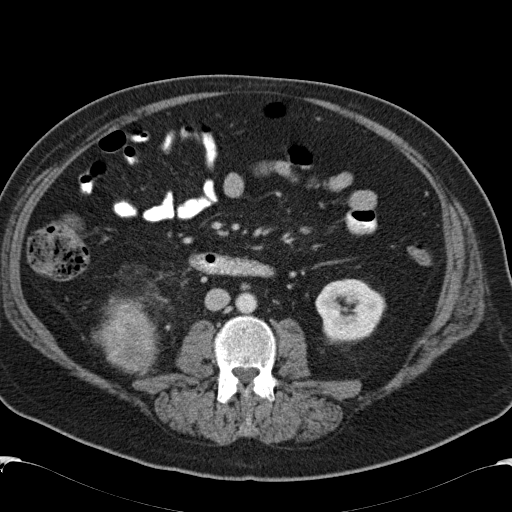
One axial slice (63 of 99, counting up from the lowest) of a contrast-enhanced abdominal CT acquired with 120 kVp, kernel B31f; each pixel is 0.742 mm and the slice is 5.00 mm thick.
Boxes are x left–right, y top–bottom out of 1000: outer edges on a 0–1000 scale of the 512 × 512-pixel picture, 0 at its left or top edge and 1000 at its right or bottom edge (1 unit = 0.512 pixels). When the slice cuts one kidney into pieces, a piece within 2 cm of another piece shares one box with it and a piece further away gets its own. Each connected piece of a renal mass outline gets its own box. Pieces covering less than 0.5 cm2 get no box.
Two boxes on this slice (one kidney box and one renal mass box), listed by box centre from the image's left to its right. (1) Right renal mass at x 180–307, y 584–725 out of 1000 (outlined area 3,061 px, about 16.9 cm2); here it is more than 1 cm from any kidney outline, though on another slice the same outlined renal mass lies within 1 cm of the kidney. (2) Box x 615–756, y 543–674 out of 1000: left kidney (outlined area 3,503 px, about 19.3 cm2).